Abdominal CT with intravenous contrast, arterial phase, axial plane, 100 kVp, kernel I30f. Slice 100/325 from the bottom of the scan; thickness 1.00 mm; pixel size 0.703 mm.
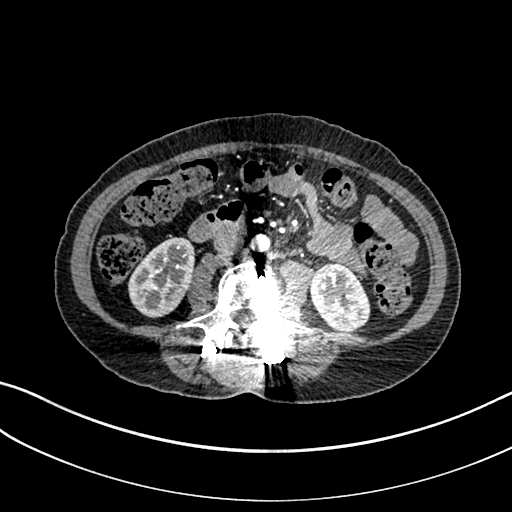
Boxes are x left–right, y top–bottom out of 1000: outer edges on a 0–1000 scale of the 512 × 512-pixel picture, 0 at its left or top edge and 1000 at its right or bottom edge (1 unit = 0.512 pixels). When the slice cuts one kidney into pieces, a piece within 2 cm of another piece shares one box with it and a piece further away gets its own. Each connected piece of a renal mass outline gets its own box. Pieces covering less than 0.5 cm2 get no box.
Boxed on this slice (two kidney boxes), listed by box centre from the image's left to its right: (1) Right kidney at x 250–383, y 463–621 out of 1000 (outlined area 3,873 px, about 19.1 cm2). (2) Left kidney, box x 604–725, y 514–648 out of 1000 (outlined area 3,200 px, about 15.8 cm2). No renal mass is outlined on this slice.